Axial slice 501 of 705 of a contrast-enhanced abdominal CT in the arterial phase (slice 1 is the lowest), 120 kVp, kernel I30f; 1.00 mm slice thickness and 0.703 mm pixels.
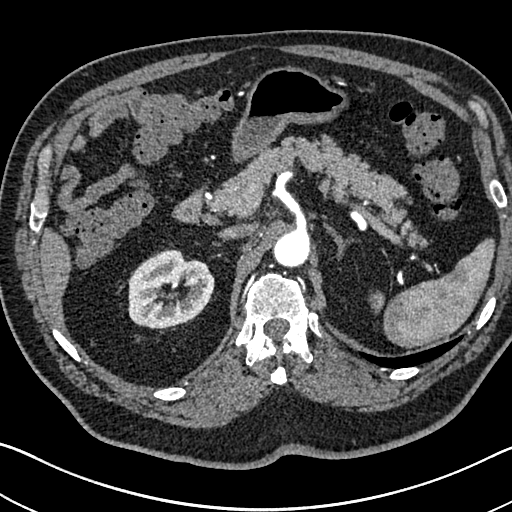
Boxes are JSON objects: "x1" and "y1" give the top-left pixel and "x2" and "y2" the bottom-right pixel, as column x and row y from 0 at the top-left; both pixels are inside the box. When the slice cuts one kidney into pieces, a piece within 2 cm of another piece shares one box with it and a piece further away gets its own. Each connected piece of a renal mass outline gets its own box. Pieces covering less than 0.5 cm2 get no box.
Right kidney at {"x1": 128, "y1": 249, "x2": 214, "y2": 329} (outlined area 5,171 px, about 25.6 cm2). No renal mass is outlined on this slice.